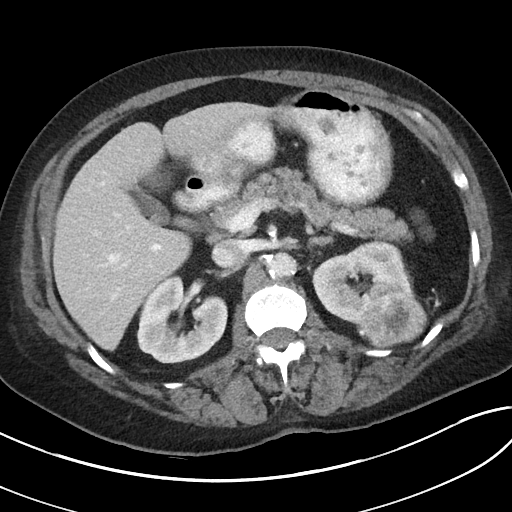
Axial slice 62 of 80 of a contrast-enhanced abdominal CT (slice 1 is the lowest), 100 kVp, kernel I40f; 5.00 mm slice thickness and 0.703 mm pixels.
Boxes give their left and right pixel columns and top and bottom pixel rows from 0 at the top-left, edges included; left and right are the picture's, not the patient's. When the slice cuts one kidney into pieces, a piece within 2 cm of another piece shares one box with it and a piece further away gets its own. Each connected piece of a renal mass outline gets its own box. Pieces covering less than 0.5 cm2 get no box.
Three boxes on this slice (two kidney boxes and one renal mass box), listed by box centre from the image's left to its right. (1) Right kidney, the box with left 136, top 274, right 227, bottom 363 (outlined area 5,677 px, about 28.1 cm2). (2) Box with left 312, top 239, right 415, bottom 327: left kidney (outlined area 5,174 px, about 25.6 cm2). (3) Box with left 357, top 292, right 427, bottom 348: left renal mass (outlined area 3,087 px, about 15.3 cm2).